Axial slice 112 of 197 of a contrast-enhanced abdominal CT (slice 1 is the lowest), 120 kVp, kernel I30f; 5.00 mm slice thickness and 0.791 mm pixels.
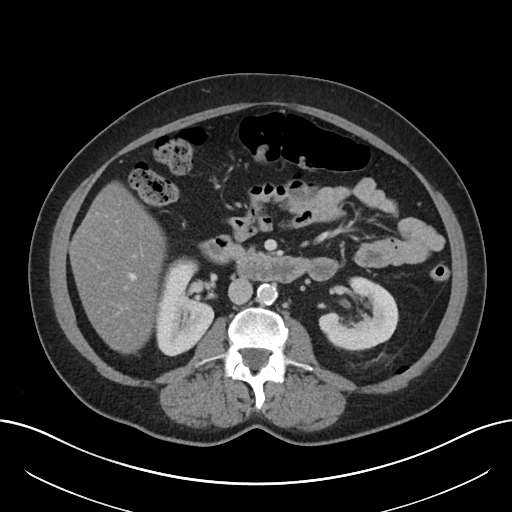
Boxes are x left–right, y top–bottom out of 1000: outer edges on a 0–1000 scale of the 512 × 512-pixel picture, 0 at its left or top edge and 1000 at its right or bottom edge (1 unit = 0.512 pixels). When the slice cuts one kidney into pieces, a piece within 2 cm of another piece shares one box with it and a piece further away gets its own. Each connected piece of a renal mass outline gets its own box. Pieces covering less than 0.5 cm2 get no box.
Boxed on this slice (two kidney boxes), listed by box centre from the image's left to its right: (1) Right kidney at x 303–420, y 504–697 out of 1000 (outlined area 4,229 px, about 26.5 cm2). (2) Left kidney at x 621–779, y 541–688 out of 1000 (outlined area 3,952 px, about 24.7 cm2). No renal mass outline on this slice.